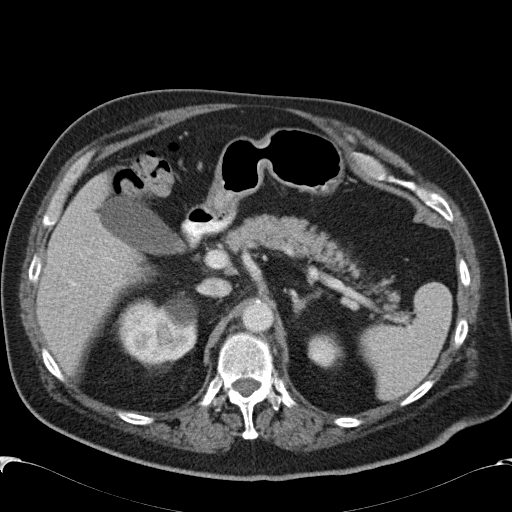
Axial slice 80 of 99 of a contrast-enhanced abdominal CT (slice 1 is the lowest), 120 kVp, kernel B31f; 5.00 mm slice thickness and 0.742 mm pixels.
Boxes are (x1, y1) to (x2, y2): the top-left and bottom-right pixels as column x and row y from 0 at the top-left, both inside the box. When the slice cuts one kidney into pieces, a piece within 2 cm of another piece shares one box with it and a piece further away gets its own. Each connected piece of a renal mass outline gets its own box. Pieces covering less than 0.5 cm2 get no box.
Two boxes on this slice (two kidney boxes), listed by box centre from the image's left to its right. (1) Box (119, 293) to (196, 363): right kidney (outlined area 4,161 px, about 22.9 cm2). (2) Left kidney, box (307, 333) to (343, 368) (outlined area 967 px, about 5.3 cm2). No renal mass outline on this slice.